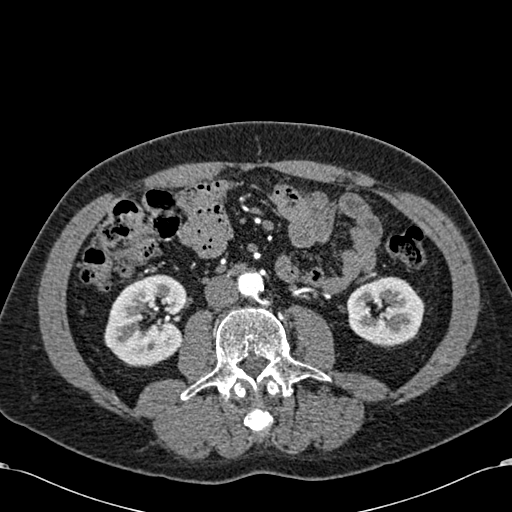
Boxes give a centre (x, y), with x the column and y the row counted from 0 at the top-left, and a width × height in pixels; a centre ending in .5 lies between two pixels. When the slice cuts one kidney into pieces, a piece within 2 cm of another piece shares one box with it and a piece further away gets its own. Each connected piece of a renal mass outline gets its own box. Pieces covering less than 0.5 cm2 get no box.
This is axial slice 276 of 581 (slice 1 is the lowest) of an arterial-phase abdominal CT with contrast; each pixel is 0.713 mm and the slice is 1.00 mm thick. Two boxes on this slice (two kidney boxes), listed by box centre from the image's left to its right. (1) Right kidney in a box with centre (145.5, 320), 84 × 93 pixels (outlined area 5,677 px, about 28.9 cm2). (2) Box centre (385, 312), 79 × 73 pixels: left kidney (outlined area 4,198 px, about 21.3 cm2). No renal mass outline on this slice.
Tube voltage 120 kVp; convolution kernel B30f.